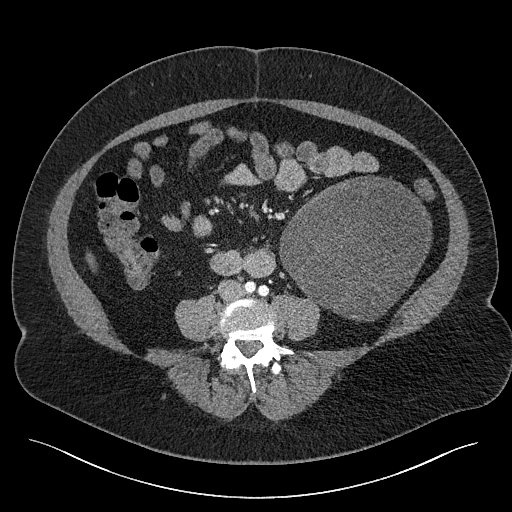
Contrast-enhanced abdominal CT, axial slice 69 of 301 (counted from the lowest slice); tube voltage 120 kVp, convolution kernel I40f; slices 2.00 mm thick, 0.859 mm per pixel.
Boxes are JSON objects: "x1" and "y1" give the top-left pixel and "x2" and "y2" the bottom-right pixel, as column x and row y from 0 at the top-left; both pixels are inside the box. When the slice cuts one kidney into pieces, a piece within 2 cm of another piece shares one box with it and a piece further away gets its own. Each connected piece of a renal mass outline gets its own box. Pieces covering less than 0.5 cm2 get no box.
Left renal mass, box {"x1": 279, "y1": 175, "x2": 431, "y2": 321} (outlined area 16,119 px, about 119.0 cm2); this slice has no kidney outline, though on another slice the same outlined renal mass lies within 1 cm of the kidney.